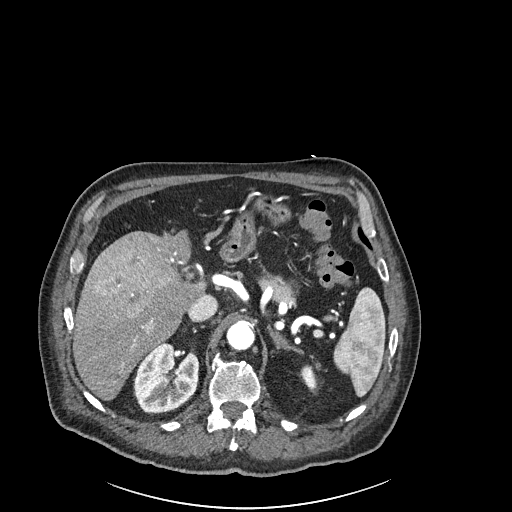
One axial slice (165 of 261, counting up from the lowest) of an arterial-phase abdominal CT acquired with 120 kVp, kernel I30f; each pixel is 0.939 mm and the slice is 2.00 mm thick.
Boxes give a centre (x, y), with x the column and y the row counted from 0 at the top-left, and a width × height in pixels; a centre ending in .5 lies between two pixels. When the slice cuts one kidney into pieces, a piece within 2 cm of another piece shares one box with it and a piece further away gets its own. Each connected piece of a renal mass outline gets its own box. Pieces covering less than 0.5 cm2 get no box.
Two boxes on this slice (two kidney boxes), listed by box centre from the image's left to its right. (1) Right kidney, box centre (166, 379), 67 × 73 pixels (outlined area 3,635 px, about 32.1 cm2). (2) Box centre (308.5, 377), 18 × 25 pixels: left kidney (outlined area 303 px, about 2.7 cm2). No renal mass is outlined on this slice.